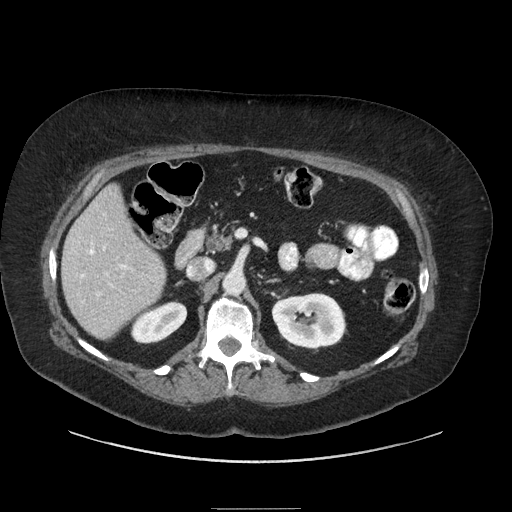
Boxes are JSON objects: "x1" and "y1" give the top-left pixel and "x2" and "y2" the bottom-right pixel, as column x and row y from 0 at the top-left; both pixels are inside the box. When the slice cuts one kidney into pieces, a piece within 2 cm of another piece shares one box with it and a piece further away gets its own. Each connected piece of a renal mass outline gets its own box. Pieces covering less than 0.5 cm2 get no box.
This is axial slice 135 of 186 (slice 1 is the lowest) of an abdominal CT with contrast; each pixel is 0.850 mm and the slice is 2.50 mm thick. Boxed on this slice (two kidney boxes), listed by box centre from the image's left to its right: (1) Box {"x1": 130, "y1": 300, "x2": 187, "y2": 343}: right kidney (outlined area 1,716 px, about 12.4 cm2). (2) Left kidney, box {"x1": 271, "y1": 292, "x2": 346, "y2": 351} (outlined area 3,381 px, about 24.4 cm2). No renal mass outline on this slice.
Tube voltage 120 kVp; convolution kernel STANDARD.